One axial slice (470 of 683, counting up from the lowest) of an arterial-phase abdominal CT acquired with 120 kVp, kernel I30f; each pixel is 0.738 mm and the slice is 1.00 mm thick.
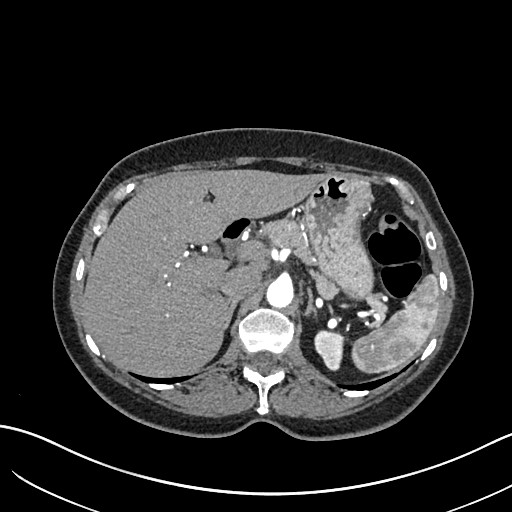
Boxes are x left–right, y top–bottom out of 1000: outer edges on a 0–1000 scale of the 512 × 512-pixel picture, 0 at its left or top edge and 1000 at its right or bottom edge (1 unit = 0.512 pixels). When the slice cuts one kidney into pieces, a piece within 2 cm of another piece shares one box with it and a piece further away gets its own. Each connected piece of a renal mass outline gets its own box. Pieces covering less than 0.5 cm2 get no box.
Left kidney, box x 613–680, y 646–727 out of 1000 (outlined area 936 px, about 5.1 cm2). No renal mass outline on this slice.